One axial slice (64 of 207, counting up from the lowest) of an arterial-phase abdominal CT acquired with 120 kVp, kernel FC18; each pixel is 0.741 mm and the slice is 2.00 mm thick.
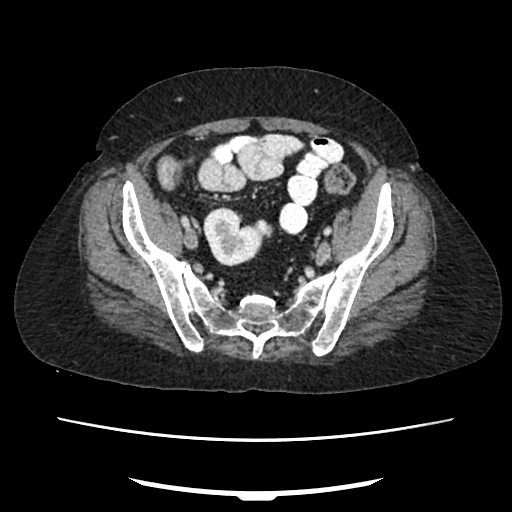
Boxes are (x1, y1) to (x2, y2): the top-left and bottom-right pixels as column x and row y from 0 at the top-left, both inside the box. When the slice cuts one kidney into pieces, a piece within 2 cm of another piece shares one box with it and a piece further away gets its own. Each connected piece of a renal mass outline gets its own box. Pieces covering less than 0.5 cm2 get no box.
Box (203, 207) to (262, 266): right kidney (outlined area 2,529 px, about 13.9 cm2). No renal mass is outlined on this slice.